Contrast-enhanced abdominal CT, axial slice 93 of 301 (counted from the lowest slice); tube voltage 120 kVp, convolution kernel I40f; slices 2.00 mm thick, 0.859 mm per pixel.
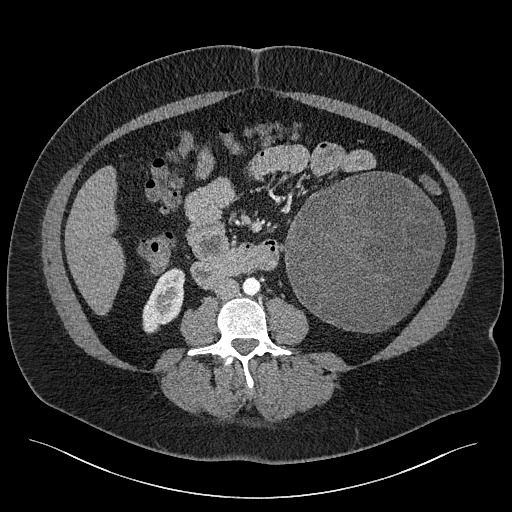
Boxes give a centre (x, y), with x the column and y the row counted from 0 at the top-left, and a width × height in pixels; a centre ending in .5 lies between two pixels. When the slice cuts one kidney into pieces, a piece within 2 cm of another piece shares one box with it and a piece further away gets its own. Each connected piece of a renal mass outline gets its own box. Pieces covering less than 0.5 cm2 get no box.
Boxed on this slice (one kidney box and one renal mass box), listed by box centre from the image's left to its right: (1) Right kidney in a box with centre (163.5, 300), 44 × 67 pixels (outlined area 1,890 px, about 14.0 cm2). (2) Box centre (364, 251.5), 163 × 162 pixels: left renal mass (outlined area 19,754 px, about 145.9 cm2); here it is more than 1 cm from any kidney outline, though on another slice the same outlined renal mass lies within 1 cm of the kidney.